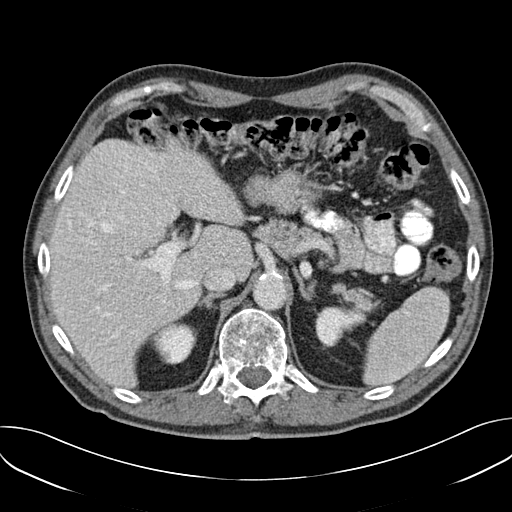
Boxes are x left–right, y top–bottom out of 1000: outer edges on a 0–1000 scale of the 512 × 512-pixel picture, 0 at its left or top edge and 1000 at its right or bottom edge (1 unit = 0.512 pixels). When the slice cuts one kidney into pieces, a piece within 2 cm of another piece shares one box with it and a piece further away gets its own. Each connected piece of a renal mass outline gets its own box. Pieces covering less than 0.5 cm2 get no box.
Arterial-phase contrast-enhanced abdominal CT, axial slice 121 of 157 (counted from the lowest slice); 3.00 mm thick, 0.742 mm per pixel. Two boxes on this slice (two kidney boxes), listed by box centre from the image's left to its right. (1) Right kidney at x 297–385, y 631–713 out of 1000 (outlined area 1,420 px, about 7.8 cm2). (2) Left kidney, box x 615–717, y 598–680 out of 1000 (outlined area 1,383 px, about 7.6 cm2). No renal mass outline on this slice.
Acquired at 120 kVp and reconstructed with the B30f kernel.